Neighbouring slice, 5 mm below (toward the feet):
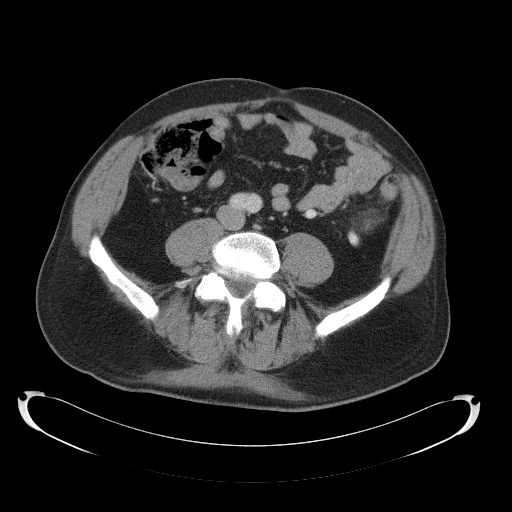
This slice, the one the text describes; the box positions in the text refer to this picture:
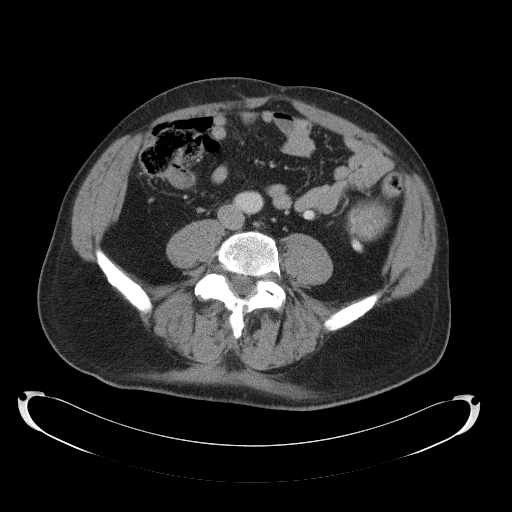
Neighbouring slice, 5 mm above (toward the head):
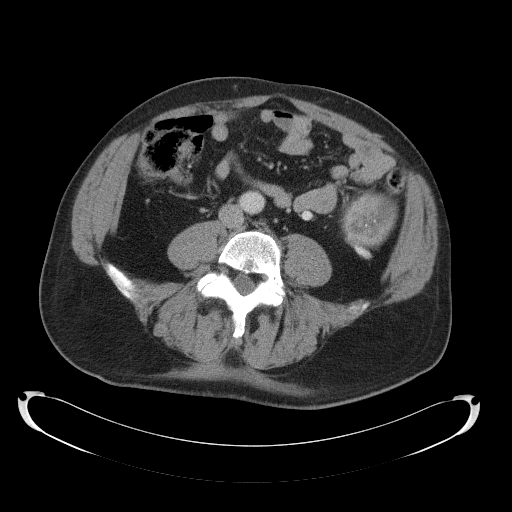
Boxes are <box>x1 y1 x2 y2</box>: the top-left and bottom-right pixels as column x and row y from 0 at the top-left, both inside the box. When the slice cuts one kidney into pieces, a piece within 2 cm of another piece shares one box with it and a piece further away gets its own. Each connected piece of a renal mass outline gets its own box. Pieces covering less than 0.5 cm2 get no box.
This is axial slice 51 of 145 (slice 1 is the lowest) of an abdominal CT with contrast; each pixel is 0.859 mm and the slice is 5.00 mm thick. At <box>346 198 390 252</box>: left renal mass (outlined area 1,583 px, about 11.7 cm2); no kidney is outlined on this slice, but the same outlined renal mass comes within 1 cm of the kidney on another slice. This slice is near the end of the left renal mass toward the feet, so the slices 5 mm below and 5 mm above it are shown as well; the boxes refer to this slice only.
Tube voltage 120 kVp; convolution kernel B41f.